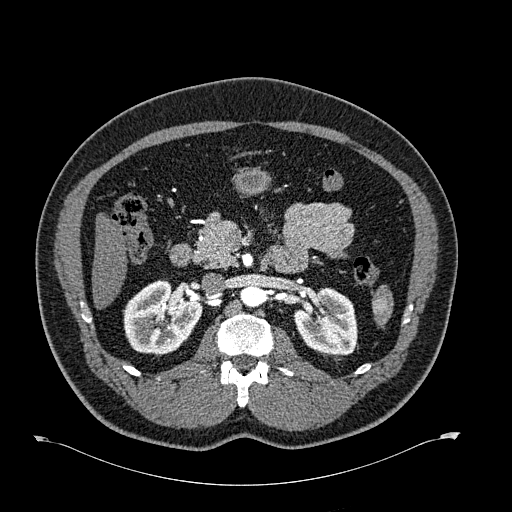
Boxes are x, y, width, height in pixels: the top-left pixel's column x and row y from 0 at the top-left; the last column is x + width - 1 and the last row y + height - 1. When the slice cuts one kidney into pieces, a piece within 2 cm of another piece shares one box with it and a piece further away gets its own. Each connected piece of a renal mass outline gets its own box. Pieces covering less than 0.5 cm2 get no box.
Arterial-phase contrast-enhanced abdominal CT, axial slice 393 of 723 (counted from the lowest slice); 1.00 mm thick, 0.895 mm per pixel. Two kidney boxes on this slice; by box centre, from the image's left to its right: (1) Box x 123, y 279, width 80, height 76: right kidney (outlined area 4,362 px, about 34.9 cm2). (2) Box x 293, y 287, width 65, height 69: left kidney (outlined area 3,299 px, about 26.4 cm2). No renal mass is outlined on this slice.
Scan settings: 120 kVp, B30f reconstruction kernel.